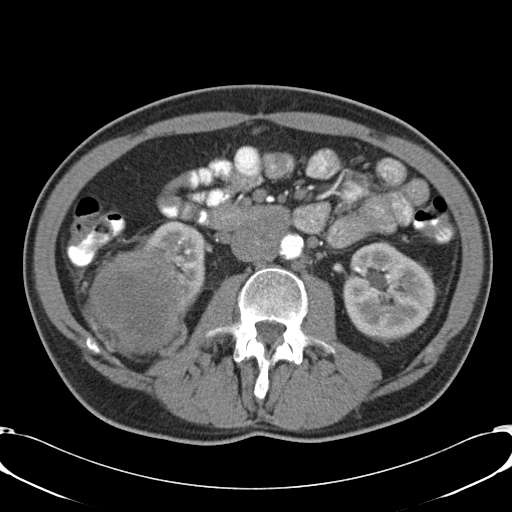
Contrast-enhanced abdominal CT, axial slice 20 of 57 (counted from the lowest slice); tube voltage 120 kVp, convolution kernel B31f; slices 5.00 mm thick, 0.732 mm per pixel.
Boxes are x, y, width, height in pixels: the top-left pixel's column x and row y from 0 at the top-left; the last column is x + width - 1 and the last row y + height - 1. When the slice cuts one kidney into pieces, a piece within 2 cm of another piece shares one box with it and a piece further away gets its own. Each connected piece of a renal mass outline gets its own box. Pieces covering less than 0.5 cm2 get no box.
Three boxes on this slice (two kidney boxes and one renal mass box), listed by box centre from the image's left to its right. (1) Right renal mass at x 84, y 249, width 104, height 103 (outlined area 7,860 px, about 42.2 cm2). (2) Box x 140, y 220, width 66, height 90: right kidney (outlined area 2,733 px, about 14.7 cm2). (3) Box x 342, y 241, width 95, height 103: left kidney (outlined area 7,049 px, about 37.8 cm2).